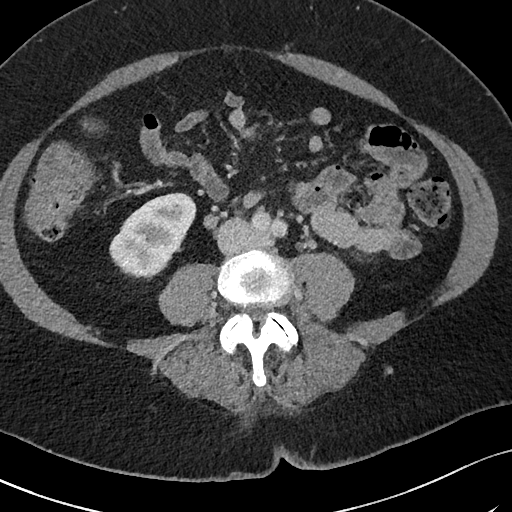
Abdominal CT with intravenous contrast, arterial phase, axial plane, 120 kVp, kernel I40f. Slice 25/69 from the bottom of the scan; thickness 3.00 mm; pixel size 0.664 mm.
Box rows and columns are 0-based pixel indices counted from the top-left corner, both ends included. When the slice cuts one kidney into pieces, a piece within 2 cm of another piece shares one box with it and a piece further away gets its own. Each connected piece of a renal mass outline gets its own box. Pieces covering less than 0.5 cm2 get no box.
Right kidney, box rows 192–280, columns 109–196 (outlined area 4,945 px, about 21.8 cm2). This slice carries no renal mass outline.